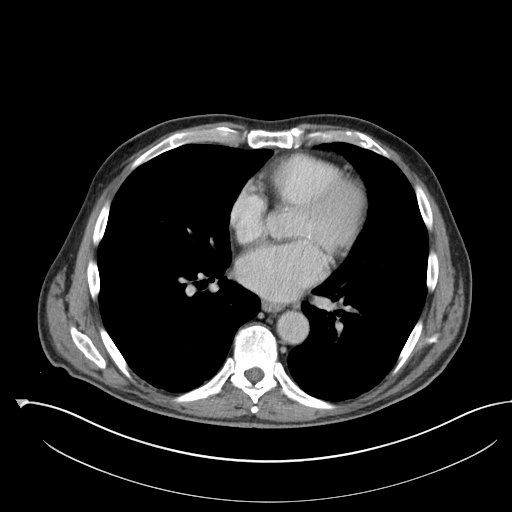
Slice 103/142 of a contrast-enhanced abdominal CT, counting up from the lowest; pixel size 0.855 mm, slice thickness 5.00 mm. Outside the outlined region: no kidney outline and no renal mass outline on this slice. The scan's outlines cover only kidneys and renal masses; no other organ is outlined.
Tube voltage 100 kVp; convolution kernel I30f.